One axial slice (94 of 164, counting up from the lowest) of an arterial-phase abdominal CT acquired with 130 kVp, kernel B30s; each pixel is 0.664 mm and the slice is 3.00 mm thick.
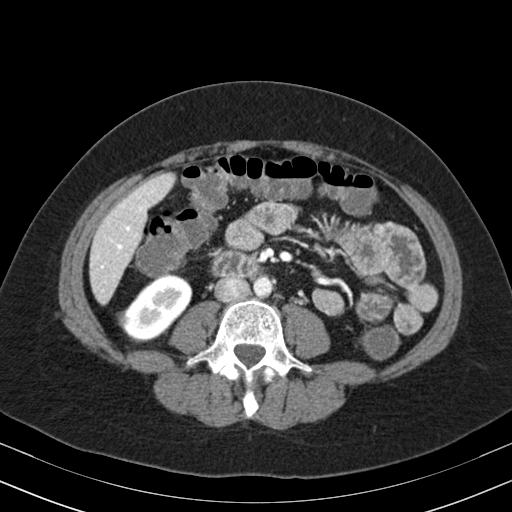
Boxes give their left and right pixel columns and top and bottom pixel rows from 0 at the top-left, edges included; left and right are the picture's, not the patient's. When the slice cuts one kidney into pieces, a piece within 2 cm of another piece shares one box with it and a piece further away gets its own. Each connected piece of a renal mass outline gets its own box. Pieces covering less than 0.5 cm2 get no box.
One kidney box and one renal mass box on this slice; by box centre, from the image's left to its right: (1) Right renal mass, the box with left 117, top 310, right 130, bottom 328 (outlined area 152 px, about 0.7 cm2). (2) Right kidney in the box with left 123, top 274, right 192, bottom 339 (outlined area 3,005 px, about 13.3 cm2).